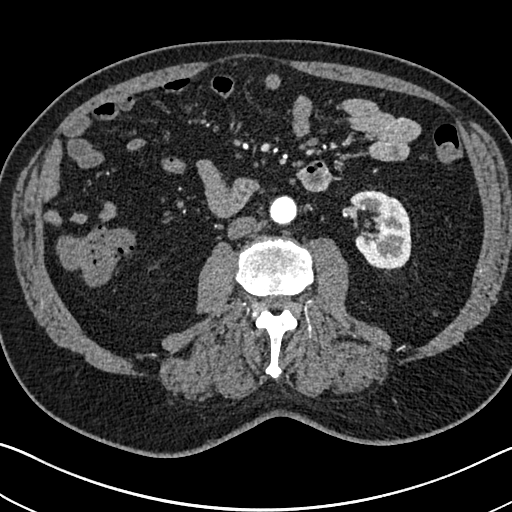
Abdominal CT with intravenous contrast, arterial phase, axial plane, 120 kVp, kernel I30f. Slice 340/705 from the bottom of the scan; thickness 1.00 mm; pixel size 0.703 mm.
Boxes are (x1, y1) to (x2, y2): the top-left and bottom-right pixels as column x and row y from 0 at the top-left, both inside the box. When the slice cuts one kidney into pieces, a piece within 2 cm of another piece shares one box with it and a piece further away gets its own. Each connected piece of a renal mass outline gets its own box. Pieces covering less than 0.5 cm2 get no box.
Box (349, 190) to (411, 270): left kidney (outlined area 3,627 px, about 17.9 cm2). No renal mass is outlined on this slice.